Axial slice 293 of 620 of a contrast-enhanced abdominal CT in the arterial phase (slice 1 is the lowest), 120 kVp, kernel B31f; 2.00 mm slice thickness and 0.637 mm pixels.
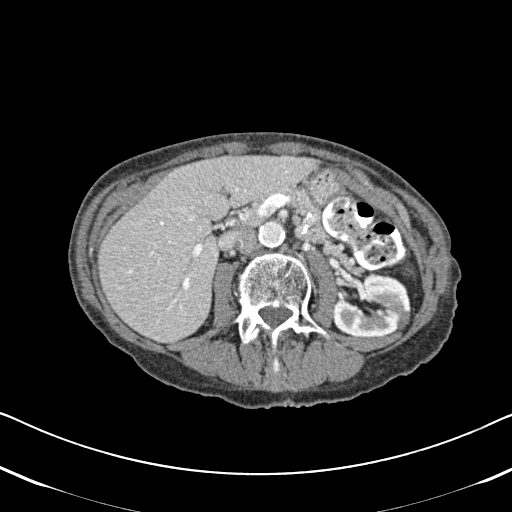
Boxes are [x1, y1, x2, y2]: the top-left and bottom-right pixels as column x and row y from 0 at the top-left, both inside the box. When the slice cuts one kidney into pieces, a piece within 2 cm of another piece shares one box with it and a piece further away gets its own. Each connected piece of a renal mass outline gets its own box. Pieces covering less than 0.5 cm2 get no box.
Box [332, 273, 411, 337]: left kidney (outlined area 3,779 px, about 15.3 cm2). No renal mass is outlined on this slice.